Axial slice 284 of 723 of a contrast-enhanced abdominal CT in the arterial phase (slice 1 is the lowest), 120 kVp, kernel B30f; 1.00 mm slice thickness and 0.895 mm pixels.
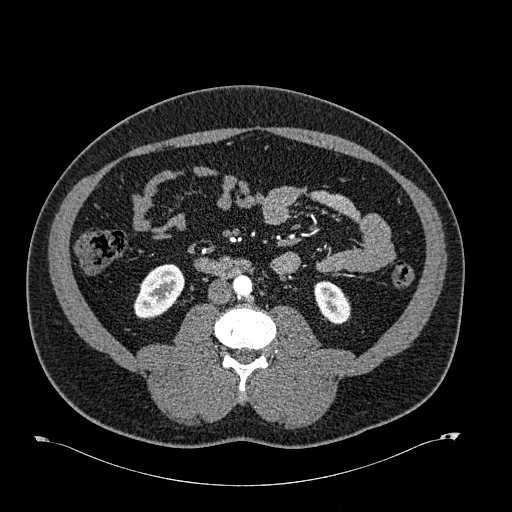
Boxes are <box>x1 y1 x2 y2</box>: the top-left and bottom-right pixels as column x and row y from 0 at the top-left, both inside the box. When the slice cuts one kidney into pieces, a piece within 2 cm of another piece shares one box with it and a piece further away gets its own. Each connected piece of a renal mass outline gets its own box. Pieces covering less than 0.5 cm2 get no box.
Two boxes on this slice (two kidney boxes), listed by box centre from the image's left to its right. (1) Right kidney: <box>133 264 183 318</box> (outlined area 1,963 px, about 15.7 cm2). (2) Left kidney: <box>313 281 349 324</box> (outlined area 1,167 px, about 9.3 cm2). This slice carries no renal mass outline.